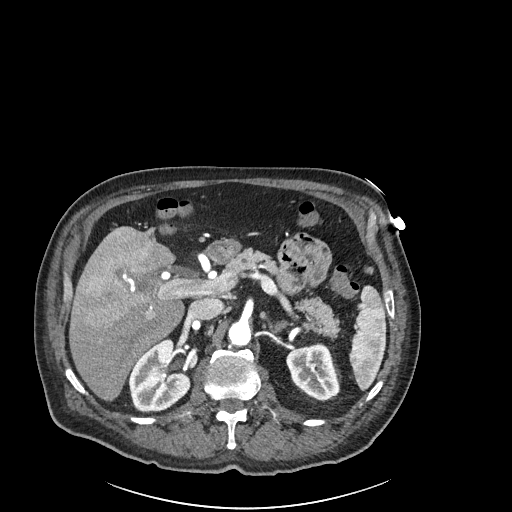
Arterial-phase contrast-enhanced abdominal CT, axial slice 144 of 261 (counted from the lowest slice); tube voltage 120 kVp, convolution kernel I30f; slices 2.00 mm thick, 0.939 mm per pixel.
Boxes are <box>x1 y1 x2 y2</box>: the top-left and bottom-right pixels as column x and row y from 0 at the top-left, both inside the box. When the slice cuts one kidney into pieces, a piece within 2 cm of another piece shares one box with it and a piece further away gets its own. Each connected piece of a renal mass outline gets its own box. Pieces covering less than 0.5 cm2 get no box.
Boxed on this slice (two kidney boxes), listed by box centre from the image's left to its right: (1) At <box>128 338 190 412</box>: right kidney (outlined area 3,346 px, about 29.5 cm2). (2) At <box>286 344 339 400</box>: left kidney (outlined area 2,208 px, about 19.5 cm2). No renal mass is outlined on this slice.